Axial slice 239 of 548 of a contrast-enhanced abdominal CT in the arterial phase (slice 1 is the lowest), 120 kVp, kernel I26f; 1.00 mm slice thickness and 0.852 mm pixels.
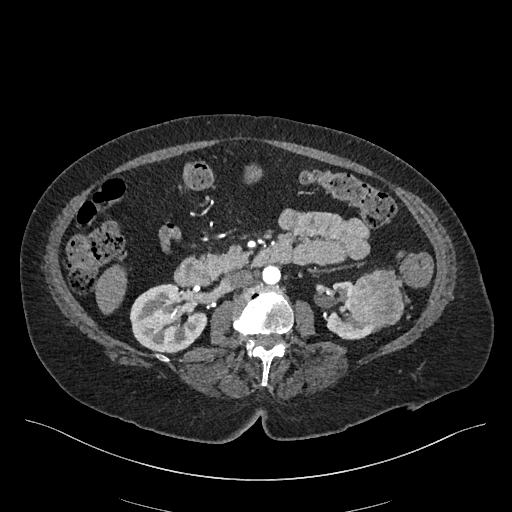
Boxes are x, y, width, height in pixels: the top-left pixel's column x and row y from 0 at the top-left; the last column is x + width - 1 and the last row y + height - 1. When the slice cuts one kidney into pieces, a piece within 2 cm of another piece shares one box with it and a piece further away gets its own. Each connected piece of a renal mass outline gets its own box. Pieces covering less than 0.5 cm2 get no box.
Three boxes on this slice (two kidney boxes and one renal mass box), listed by box centre from the image's left to its right. (1) Box x 129, y 283, width 79, height 71: right kidney (outlined area 3,978 px, about 28.8 cm2). (2) Box x 326, y 281, width 53, height 59: left kidney (outlined area 1,525 px, about 11.1 cm2). (3) Left renal mass at x 350, y 269, width 55, height 61 (outlined area 2,580 px, about 18.7 cm2).